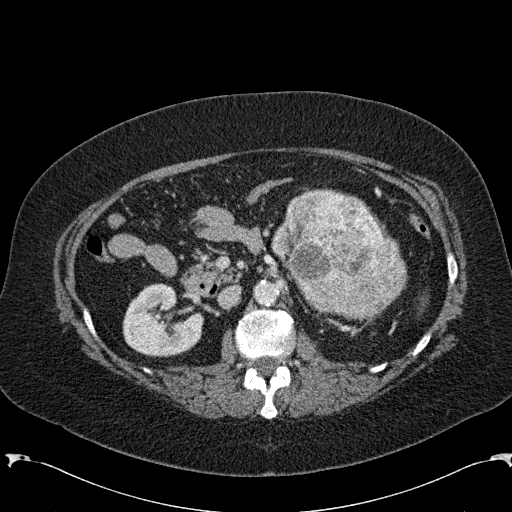
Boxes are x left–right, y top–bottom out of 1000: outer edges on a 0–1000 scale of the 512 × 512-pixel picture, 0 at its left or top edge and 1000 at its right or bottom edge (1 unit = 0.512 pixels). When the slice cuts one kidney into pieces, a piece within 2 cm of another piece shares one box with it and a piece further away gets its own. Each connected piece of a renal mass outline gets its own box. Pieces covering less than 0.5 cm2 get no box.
Slice 132/285 of a contrast-enhanced abdominal CT in the arterial phase, counting up from the lowest; pixel size 0.762 mm, slice thickness 2.00 mm. Two boxes on this slice (one kidney box and one renal mass box), listed by box centre from the image's left to its right. (1) Box x 238–396, y 553–699 out of 1000: right kidney (outlined area 4,331 px, about 25.1 cm2). (2) Left renal mass at x 529–799, y 367–625 out of 1000 (outlined area 12,678 px, about 73.6 cm2); here it is more than 1 cm from any kidney outline, though on another slice the same outlined renal mass lies within 1 cm of the kidney.
Tube voltage 120 kVp; convolution kernel B31f.